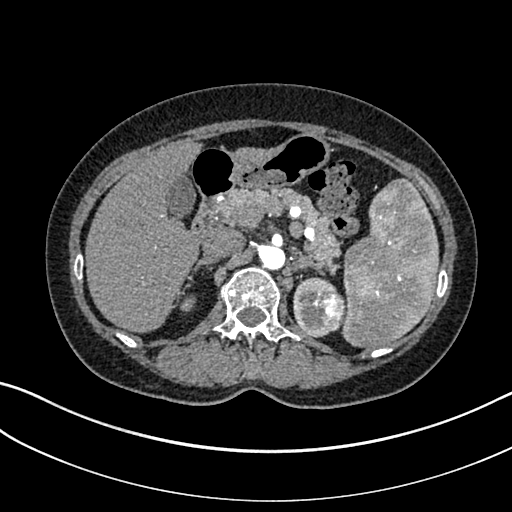
Axial slice 229 of 325 of a contrast-enhanced abdominal CT in the arterial phase (slice 1 is the lowest), 100 kVp, kernel I30f; 1.00 mm slice thickness and 0.703 mm pixels.
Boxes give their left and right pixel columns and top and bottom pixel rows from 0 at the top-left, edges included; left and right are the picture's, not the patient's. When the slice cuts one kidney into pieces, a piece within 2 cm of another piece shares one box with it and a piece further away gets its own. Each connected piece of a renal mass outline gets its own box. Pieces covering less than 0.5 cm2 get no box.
Three boxes on this slice (two kidney boxes and one renal mass box), listed by box centre from the image's left to its right. (1) Right kidney in the box with left 180, top 295, right 195, bottom 311 (outlined area 183 px, about 0.9 cm2). (2) Box with left 293, top 277, right 336, bottom 337: left kidney (outlined area 1,427 px, about 7.1 cm2). (3) Left renal mass in the box with left 313, top 290, right 346, bottom 331 (outlined area 1,065 px, about 5.3 cm2).